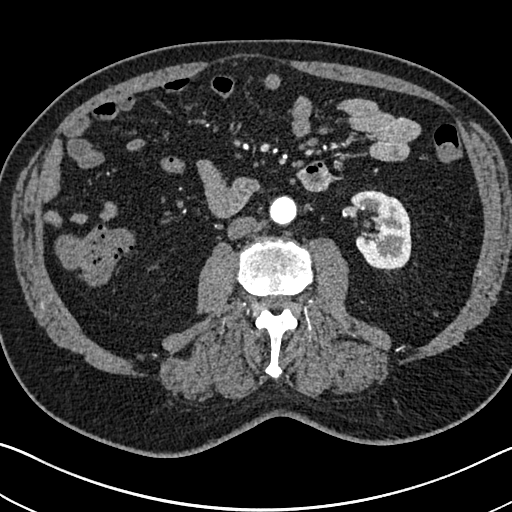
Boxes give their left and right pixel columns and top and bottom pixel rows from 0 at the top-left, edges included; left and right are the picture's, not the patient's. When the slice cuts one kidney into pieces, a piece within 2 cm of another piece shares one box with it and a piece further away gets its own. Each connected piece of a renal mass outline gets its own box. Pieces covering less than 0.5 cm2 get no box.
This is axial slice 341 of 705 (slice 1 is the lowest) of an arterial-phase abdominal CT with contrast; each pixel is 0.703 mm and the slice is 1.00 mm thick. Left kidney in the box with left 350, top 190, right 411, bottom 271 (outlined area 3,655 px, about 18.1 cm2). No renal mass is outlined on this slice.
Tube voltage 120 kVp; convolution kernel I30f.